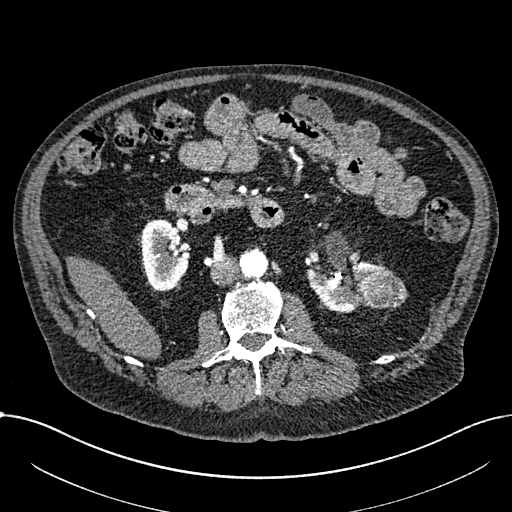
Arterial-phase contrast-enhanced abdominal CT, axial slice 380 of 1059 (counted from the lowest slice); tube voltage 100 kVp, convolution kernel I30f; slices 1.00 mm thick, 0.811 mm per pixel.
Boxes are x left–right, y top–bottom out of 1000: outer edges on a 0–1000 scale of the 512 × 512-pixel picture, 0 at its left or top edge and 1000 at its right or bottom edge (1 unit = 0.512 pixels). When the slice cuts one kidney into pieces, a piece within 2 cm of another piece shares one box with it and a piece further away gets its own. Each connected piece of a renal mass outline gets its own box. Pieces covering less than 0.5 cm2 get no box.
Three boxes on this slice (two kidney boxes and one renal mass box), listed by box centre from the image's left to its right. (1) Right part of the midline-crossing kidney, box x 275–371, y 430–570 out of 1000 (outlined area 2,613 px, about 17.2 cm2). (2) Box x 598–758, y 508–611 out of 1000: left part of the midline-crossing kidney (outlined area 2,378 px, about 15.6 cm2). (3) Renal mass at x 699–799, y 525–604 out of 1000 (outlined area 1,480 px, about 9.7 cm2).